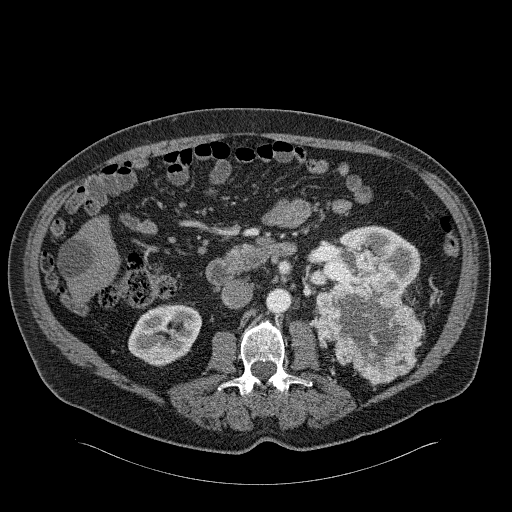
One axial slice (112 of 326, counting up from the lowest) of an arterial-phase abdominal CT acquired with 120 kVp, kernel B31f; each pixel is 0.963 mm and the slice is 2.00 mm thick.
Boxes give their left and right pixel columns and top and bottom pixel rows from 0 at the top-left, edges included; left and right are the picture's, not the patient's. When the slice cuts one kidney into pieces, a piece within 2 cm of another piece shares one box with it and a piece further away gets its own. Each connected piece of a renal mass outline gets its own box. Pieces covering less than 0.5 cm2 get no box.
Three boxes on this slice (two kidney boxes and one renal mass box), listed by box centre from the image's left to its right. (1) Right kidney in the box with left 128, top 304, right 201, bottom 365 (outlined area 3,352 px, about 31.1 cm2). (2) Left kidney in the box with left 318, top 225, right 420, bottom 296 (outlined area 3,929 px, about 36.4 cm2). (3) Box with left 316, top 248, right 422, bottom 383: left renal mass (outlined area 8,844 px, about 82.0 cm2).